One axial slice (662 of 987, counting up from the lowest) of an arterial-phase abdominal CT acquired with 120 kVp, kernel I26f; each pixel is 0.977 mm and the slice is 1.00 mm thick.
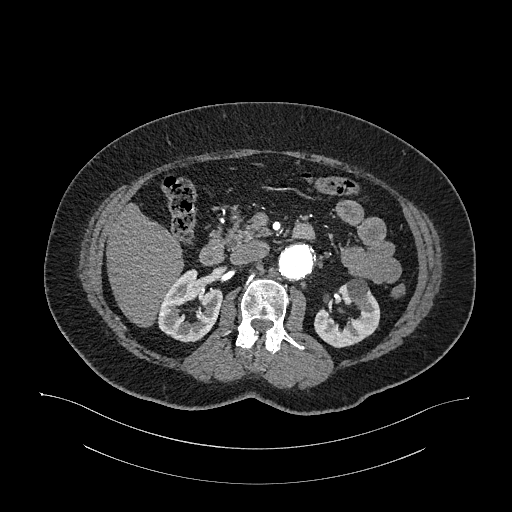
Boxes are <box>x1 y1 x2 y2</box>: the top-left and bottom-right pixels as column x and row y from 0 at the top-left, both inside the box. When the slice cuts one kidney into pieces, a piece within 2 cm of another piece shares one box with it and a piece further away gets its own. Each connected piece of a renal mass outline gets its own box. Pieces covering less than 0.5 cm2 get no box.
Boxed on this slice (two kidney boxes), listed by box centre from the image's left to its right: (1) Right kidney at <box>157 269 222 342</box> (outlined area 3,177 px, about 30.3 cm2). (2) At <box>314 277 380 348</box>: left kidney (outlined area 2,831 px, about 27.0 cm2). This slice carries no renal mass outline.